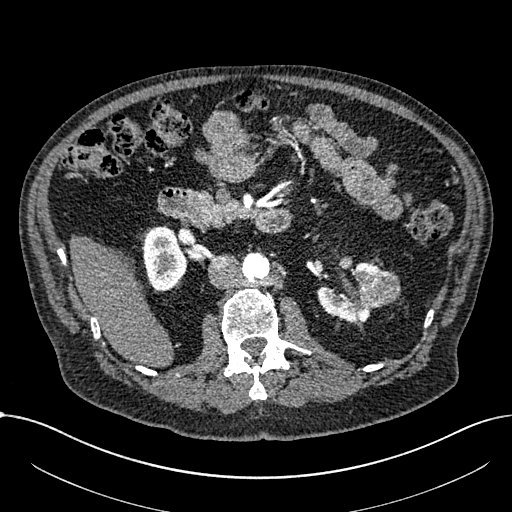
Abdominal CT with intravenous contrast, arterial phase, axial plane, 100 kVp, kernel I30f. Slice 400/1059 from the bottom of the scan; thickness 1.00 mm; pixel size 0.811 mm.
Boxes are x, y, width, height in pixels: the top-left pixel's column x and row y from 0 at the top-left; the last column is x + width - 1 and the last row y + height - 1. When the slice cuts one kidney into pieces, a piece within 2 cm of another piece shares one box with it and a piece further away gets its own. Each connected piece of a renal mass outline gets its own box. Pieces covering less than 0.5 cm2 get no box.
Two kidney boxes and one renal mass box on this slice; by box centre, from the image's left to its right: (1) Box x 143, y 226, width 45, height 66: right part of the midline-crossing kidney (outlined area 2,190 px, about 14.4 cm2). (2) Box x 318, y 262, width 63, height 61: left part of the midline-crossing kidney (outlined area 1,999 px, about 13.1 cm2). (3) Renal mass, box x 359, y 270, width 42, height 40 (outlined area 1,178 px, about 7.7 cm2).